Abdominal CT with intravenous contrast, arterial phase, axial plane, 120 kVp, kernel FC12. Slice 84/117 from the bottom of the scan; thickness 3.00 mm; pixel size 0.518 mm.
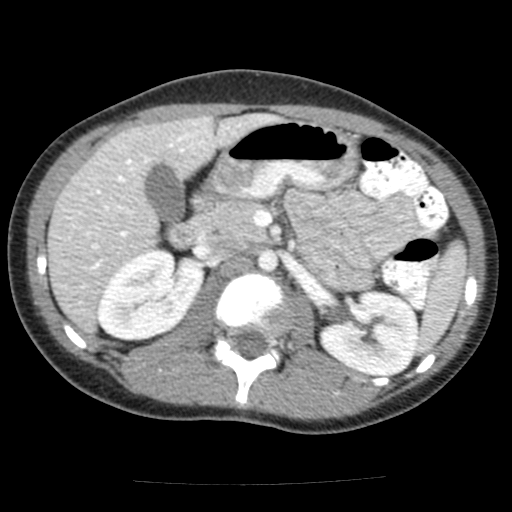
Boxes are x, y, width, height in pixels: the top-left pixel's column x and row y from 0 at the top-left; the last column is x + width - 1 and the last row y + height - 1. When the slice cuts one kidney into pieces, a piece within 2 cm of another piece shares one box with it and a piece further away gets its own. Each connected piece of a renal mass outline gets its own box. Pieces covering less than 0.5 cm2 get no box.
Boxed on this slice (two kidney boxes), listed by box centre from the image's left to its right: (1) Box x 97, y 246, width 109, height 96: right kidney (outlined area 7,165 px, about 19.2 cm2). (2) Left kidney at x 318, y 288, width 101, height 89 (outlined area 6,528 px, about 17.5 cm2). No renal mass is outlined on this slice.